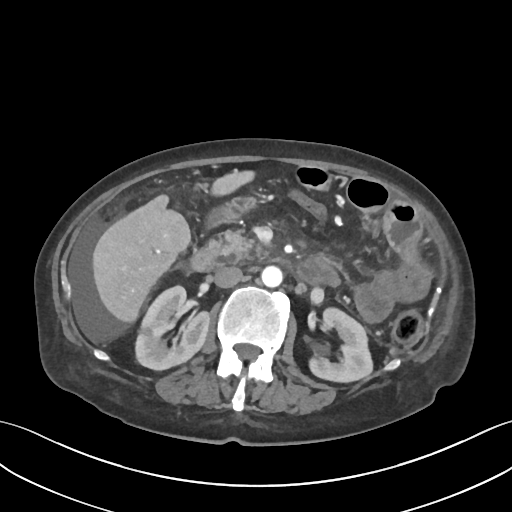
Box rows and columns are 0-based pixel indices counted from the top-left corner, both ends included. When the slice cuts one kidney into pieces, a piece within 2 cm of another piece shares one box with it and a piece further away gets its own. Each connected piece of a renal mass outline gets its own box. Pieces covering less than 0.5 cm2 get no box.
Slice 42/109 of a contrast-enhanced abdominal CT, counting up from the lowest; pixel size 0.742 mm, slice thickness 3.00 mm. Two kidney boxes on this slice; by box centre, from the image's left to its right: (1) Box rows 285–370, columns 135–209: right kidney (outlined area 4,586 px, about 25.3 cm2). (2) Left kidney at rows 306–382, columns 308–373 (outlined area 3,480 px, about 19.2 cm2). No renal mass is outlined on this slice.
Acquired at 120 kVp and reconstructed with the I30f kernel.